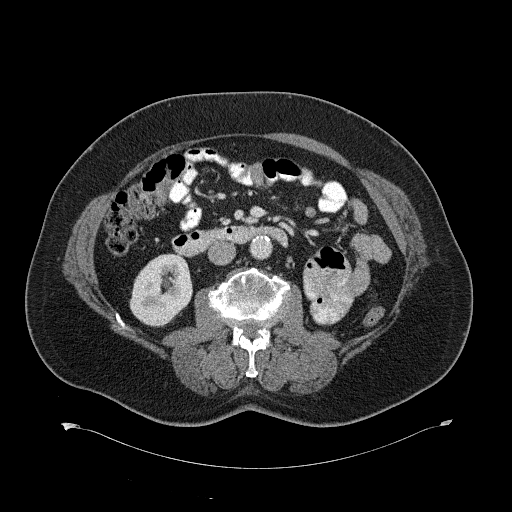
Contrast-enhanced abdominal CT, axial slice 339 of 734 (counted from the lowest slice); tube voltage 120 kVp, convolution kernel B31f; slices 2.00 mm thick, 0.971 mm per pixel.
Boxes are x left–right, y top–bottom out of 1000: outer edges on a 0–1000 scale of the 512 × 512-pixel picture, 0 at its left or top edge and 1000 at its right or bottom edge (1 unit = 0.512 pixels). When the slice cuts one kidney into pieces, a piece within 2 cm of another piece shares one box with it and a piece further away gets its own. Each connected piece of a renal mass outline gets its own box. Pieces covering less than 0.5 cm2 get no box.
Right kidney, box x 252–377, y 494–639 out of 1000 (outlined area 3,454 px, about 32.5 cm2). This slice carries no renal mass outline.